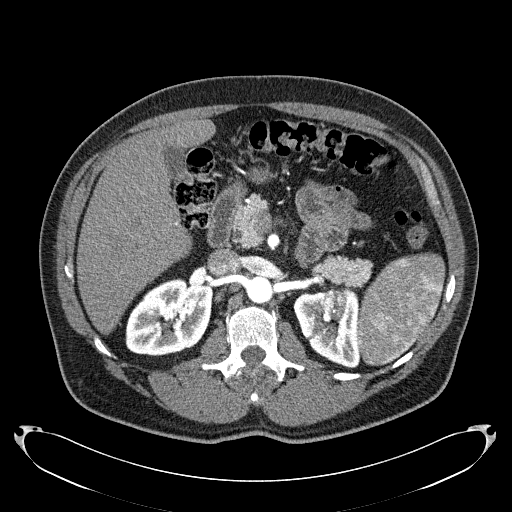
Abdominal CT with intravenous contrast, arterial phase, axial plane, 120 kVp, kernel B31f. Slice 140/279 from the bottom of the scan; thickness 2.00 mm; pixel size 0.824 mm.
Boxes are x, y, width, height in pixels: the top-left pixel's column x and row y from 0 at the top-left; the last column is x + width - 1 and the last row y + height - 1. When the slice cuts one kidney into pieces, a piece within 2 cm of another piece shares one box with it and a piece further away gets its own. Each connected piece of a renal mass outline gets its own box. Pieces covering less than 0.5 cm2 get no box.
Boxed on this slice (two kidney boxes and one renal mass box), listed by box centre from the image's left to its right: (1) Right kidney at x 125, y 278, width 89, height 78 (outlined area 5,279 px, about 35.9 cm2). (2) Box x 293, y 290, width 69, height 79: left kidney (outlined area 3,370 px, about 22.9 cm2). (3) Left renal mass, box x 322, y 289, width 25, height 33 (outlined area 633 px, about 4.3 cm2).